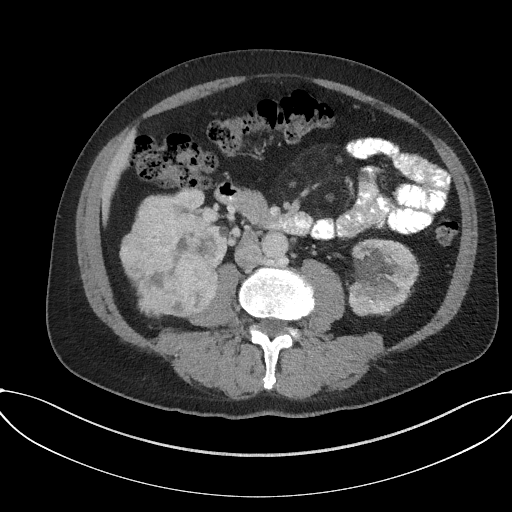
One axial slice (84 of 227, counting up from the lowest) of an arterial-phase abdominal CT acquired with 120 kVp, kernel I31f; each pixel is 0.816 mm and the slice is 3.00 mm thick.
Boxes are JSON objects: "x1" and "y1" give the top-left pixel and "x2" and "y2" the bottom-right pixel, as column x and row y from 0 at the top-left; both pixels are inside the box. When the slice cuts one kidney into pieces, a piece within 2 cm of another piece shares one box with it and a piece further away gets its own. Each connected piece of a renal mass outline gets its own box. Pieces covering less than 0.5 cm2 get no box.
Two kidney boxes and one renal mass box on this slice; by box centre, from the image's left to its right: (1) Right renal mass at {"x1": 119, "y1": 194, "x2": 222, "y2": 317} (outlined area 9,372 px, about 62.5 cm2). (2) Box {"x1": 172, "y1": 187, "x2": 228, "y2": 268}: right kidney (outlined area 1,327 px, about 8.8 cm2). (3) Box {"x1": 348, "y1": 239, "x2": 418, "y2": 316}: left kidney (outlined area 4,321 px, about 28.8 cm2).